One axial slice (23 of 36, counting up from the lowest) of an arterial-phase abdominal CT acquired with 140 kVp, kernel STANDARD; each pixel is 0.703 mm and the slice is 5.00 mm thick.
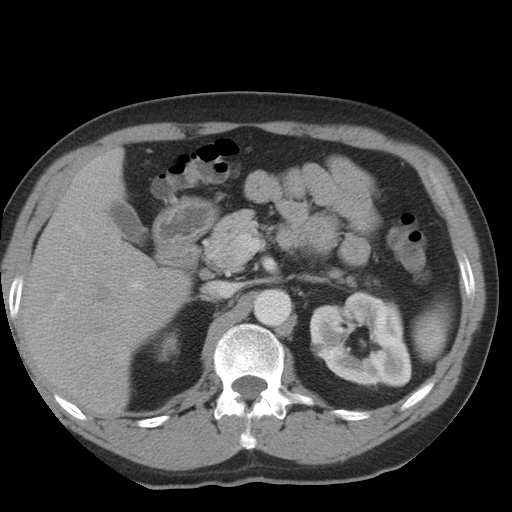
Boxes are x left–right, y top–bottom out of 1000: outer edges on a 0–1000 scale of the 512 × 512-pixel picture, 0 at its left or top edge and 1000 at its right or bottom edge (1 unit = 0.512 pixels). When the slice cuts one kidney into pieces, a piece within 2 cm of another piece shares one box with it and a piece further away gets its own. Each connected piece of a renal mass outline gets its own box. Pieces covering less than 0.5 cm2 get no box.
Two boxes on this slice (two kidney boxes), listed by box centre from the image's left to its right. (1) Right kidney at x 301–352, y 643–707 out of 1000 (outlined area 533 px, about 2.6 cm2). (2) Left kidney at x 604–805, y 568–760 out of 1000 (outlined area 7,185 px, about 35.5 cm2). This slice carries no renal mass outline.